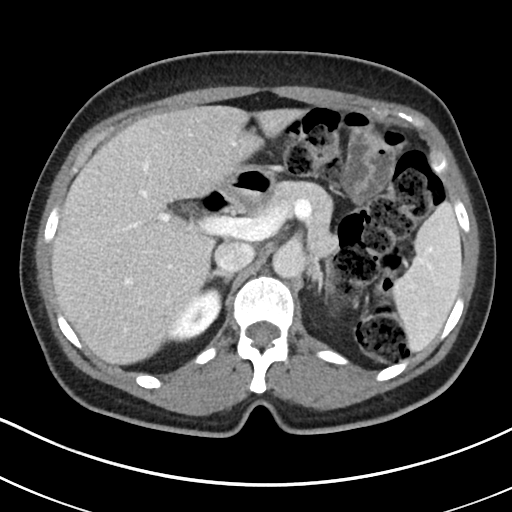
One axial slice (134 of 178, counting up from the lowest) of a contrast-enhanced abdominal CT acquired with 100 kVp, kernel I30f; each pixel is 0.650 mm and the slice is 5.00 mm thick.
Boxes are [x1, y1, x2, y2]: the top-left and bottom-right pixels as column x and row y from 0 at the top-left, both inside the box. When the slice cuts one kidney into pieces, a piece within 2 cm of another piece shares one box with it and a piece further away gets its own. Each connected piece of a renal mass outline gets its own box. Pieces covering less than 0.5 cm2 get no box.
Box [166, 288, 222, 342]: right kidney (outlined area 1,843 px, about 7.8 cm2). No renal mass is outlined on this slice.